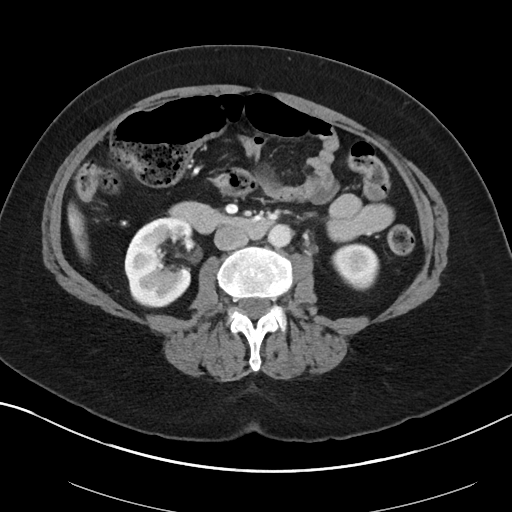
Axial slice 50 of 88 of a contrast-enhanced abdominal CT in the arterial phase (slice 1 is the lowest), 100 kVp, kernel I40f; 5.00 mm slice thickness and 0.705 mm pixels.
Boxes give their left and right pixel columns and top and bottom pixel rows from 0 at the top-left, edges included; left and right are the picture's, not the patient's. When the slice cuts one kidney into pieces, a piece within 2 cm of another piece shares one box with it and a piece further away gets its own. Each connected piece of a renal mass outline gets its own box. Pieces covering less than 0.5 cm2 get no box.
Two kidney boxes on this slice; by box centre, from the image's left to its right: (1) Box with left 124, top 217, right 193, bottom 307: right kidney (outlined area 4,836 px, about 24.0 cm2). (2) Box with left 331, top 243, right 379, bottom 290: left kidney (outlined area 1,689 px, about 8.4 cm2). No renal mass is outlined on this slice.